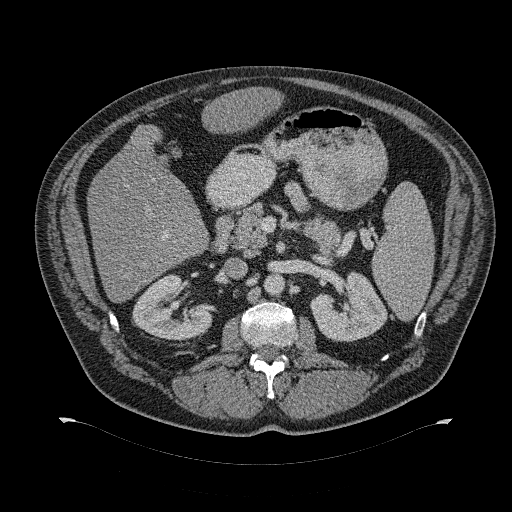
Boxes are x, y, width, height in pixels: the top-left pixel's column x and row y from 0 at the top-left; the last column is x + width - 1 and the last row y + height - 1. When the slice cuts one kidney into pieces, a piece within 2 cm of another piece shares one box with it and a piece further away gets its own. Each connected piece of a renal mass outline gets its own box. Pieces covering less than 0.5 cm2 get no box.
Contrast-enhanced abdominal CT, axial slice 193 of 274 (counted from the lowest slice); 2.00 mm thick, 0.977 mm per pixel. Boxed on this slice (two kidney boxes), listed by box centre from the image's left to its right: (1) Box x 132, y 274, width 81, height 68: right kidney (outlined area 3,501 px, about 33.4 cm2). (2) Left kidney at x 310, y 271, width 78, height 71 (outlined area 3,663 px, about 34.9 cm2). This slice carries no renal mass outline.
Acquired at 120 kVp and reconstructed with the B31f kernel.